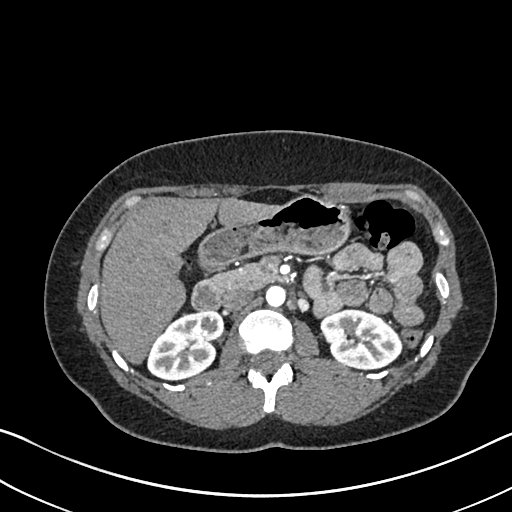
Arterial-phase contrast-enhanced abdominal CT, axial slice 426 of 612 (counted from the lowest slice); tube voltage 120 kVp, convolution kernel I30f; slices 1.00 mm thick, 0.703 mm per pixel.
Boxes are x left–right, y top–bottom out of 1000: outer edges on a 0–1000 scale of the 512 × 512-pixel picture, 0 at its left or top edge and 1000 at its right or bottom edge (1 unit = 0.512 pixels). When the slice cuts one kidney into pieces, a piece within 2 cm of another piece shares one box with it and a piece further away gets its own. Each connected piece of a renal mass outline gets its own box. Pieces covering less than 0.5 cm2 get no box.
Two boxes on this slice (two kidney boxes), listed by box centre from the image's left to its right. (1) Right kidney, box x 287–439, y 605–742 out of 1000 (outlined area 3,881 px, about 19.2 cm2). (2) Box x 625–787, y 602–725 out of 1000: left kidney (outlined area 3,798 px, about 18.8 cm2). No renal mass is outlined on this slice.